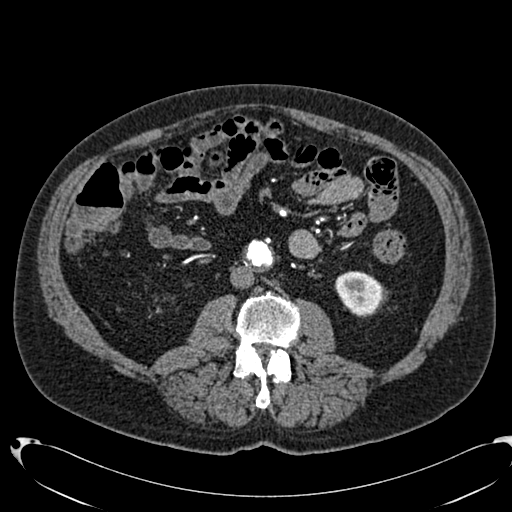
Arterial-phase contrast-enhanced abdominal CT, axial slice 328 of 553 (counted from the lowest slice); tube voltage 120 kVp, convolution kernel B20f; slices 1.00 mm thick, 0.773 mm per pixel.
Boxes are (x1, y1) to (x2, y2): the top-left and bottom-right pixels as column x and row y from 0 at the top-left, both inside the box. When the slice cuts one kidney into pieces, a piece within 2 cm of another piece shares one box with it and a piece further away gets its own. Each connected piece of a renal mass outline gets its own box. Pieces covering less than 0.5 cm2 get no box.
Left kidney from (335, 271) to (382, 315) (outlined area 1,650 px, about 9.9 cm2). This slice carries no renal mass outline.